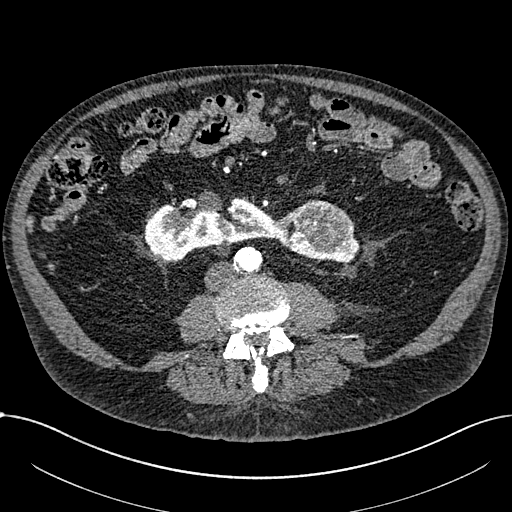
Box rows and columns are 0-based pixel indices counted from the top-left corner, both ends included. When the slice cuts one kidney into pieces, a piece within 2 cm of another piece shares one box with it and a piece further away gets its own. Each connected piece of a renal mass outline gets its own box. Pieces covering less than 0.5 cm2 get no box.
Arterial-phase contrast-enhanced abdominal CT, axial slice 285 of 1059 (counted from the lowest slice); 1.00 mm thick, 0.811 mm per pixel. Two boxes on this slice (one kidney box and one renal mass box), listed by box centre from the image's left to its right. (1) Kidney crossing the body midline, box rows 196–263, columns 144–359 (outlined area 7,647 px, about 50.2 cm2). (2) Renal mass at rows 200–251, columns 301–352 (outlined area 1,986 px, about 13.0 cm2).
Scan settings: 100 kVp, I30f reconstruction kernel.